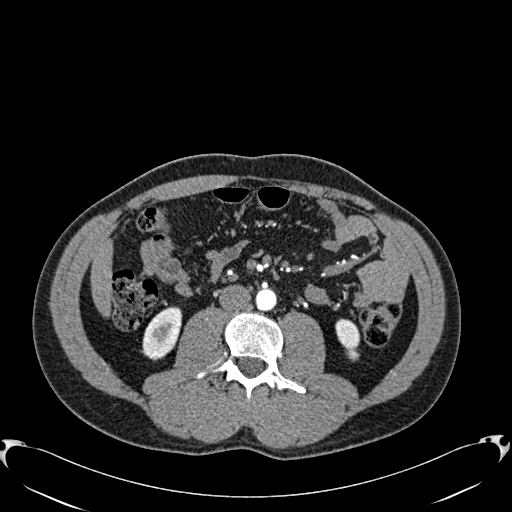
One axial slice (277 of 512, counting up from the lowest) of an arterial-phase abdominal CT acquired with 120 kVp, kernel B30f; each pixel is 0.771 mm and the slice is 1.00 mm thick.
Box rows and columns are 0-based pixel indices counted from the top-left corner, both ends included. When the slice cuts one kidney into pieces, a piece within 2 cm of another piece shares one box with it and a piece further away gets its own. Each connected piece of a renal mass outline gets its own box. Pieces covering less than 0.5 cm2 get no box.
Two kidney boxes on this slice; by box centre, from the image's left to its right: (1) Right kidney at rows 306–360, columns 141–182 (outlined area 1,534 px, about 9.1 cm2). (2) Box rows 318–361, columns 335–360: left kidney (outlined area 736 px, about 4.4 cm2). No renal mass is outlined on this slice.